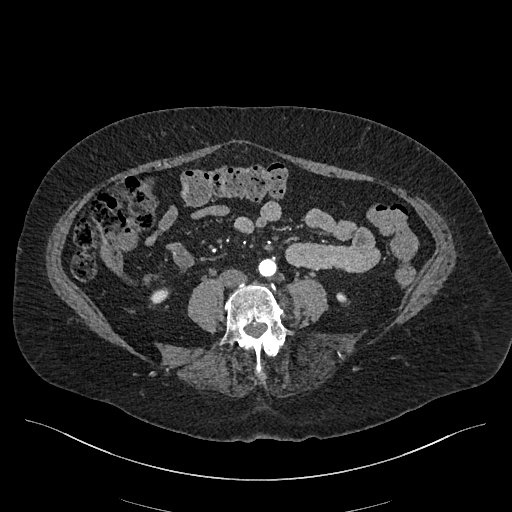
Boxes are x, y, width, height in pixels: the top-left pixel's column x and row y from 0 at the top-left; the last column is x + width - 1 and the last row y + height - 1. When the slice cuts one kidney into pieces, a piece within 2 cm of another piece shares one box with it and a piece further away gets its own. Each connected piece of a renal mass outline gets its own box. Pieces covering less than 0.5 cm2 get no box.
Slice 145/548 of a contrast-enhanced abdominal CT in the arterial phase, counting up from the lowest; pixel size 0.852 mm, slice thickness 1.00 mm. Boxed on this slice (two kidney boxes), listed by box centre from the image's left to its right: (1) Box x 150, y 287, width 20, height 18: right kidney (outlined area 224 px, about 1.6 cm2). (2) Left kidney at x 336, y 292, width 12, height 12 (outlined area 98 px, about 0.7 cm2). No renal mass outline on this slice.
Acquired at 120 kVp and reconstructed with the I26f kernel.